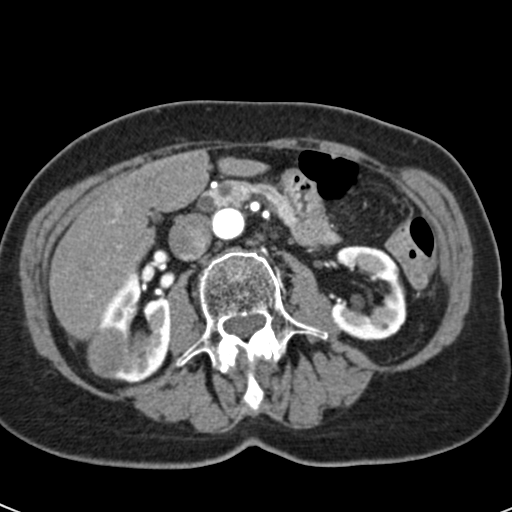
Arterial-phase contrast-enhanced abdominal CT, axial slice 27 of 53 (counted from the lowest slice); tube voltage 120 kVp, convolution kernel B30f; slices 3.00 mm thick, 0.547 mm per pixel.
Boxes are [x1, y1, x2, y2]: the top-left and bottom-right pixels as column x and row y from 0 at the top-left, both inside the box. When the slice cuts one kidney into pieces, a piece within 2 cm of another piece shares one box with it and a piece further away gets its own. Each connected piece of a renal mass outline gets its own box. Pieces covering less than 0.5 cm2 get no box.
Boxed on this slice (two kidney boxes and two renal mass boxes), listed by box centre from the image's left to its right: (1) Right renal mass at [86, 326, 126, 379] (outlined area 1,685 px, about 5.0 cm2). (2) Box [93, 271, 170, 383]: right kidney (outlined area 3,976 px, about 11.9 cm2). (3) Right renal mass at [127, 330, 151, 366] (outlined area 611 px, about 1.8 cm2). (4) Box [330, 245, 406, 340]: left kidney (outlined area 4,592 px, about 13.7 cm2).